One axial slice (54 of 85, counting up from the lowest) of an arterial-phase abdominal CT acquired with 100 kVp, kernel I41f; each pixel is 0.664 mm and the slice is 5.00 mm thick.
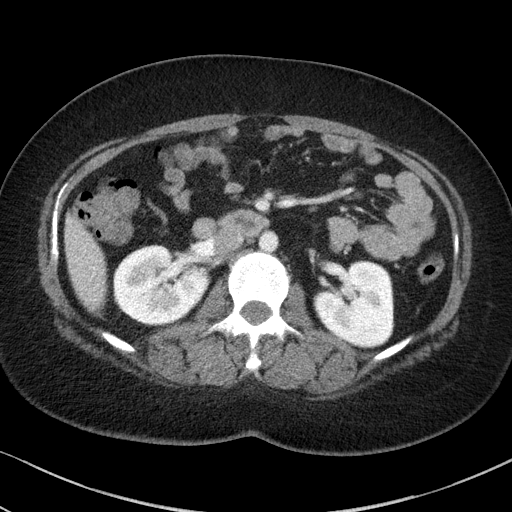
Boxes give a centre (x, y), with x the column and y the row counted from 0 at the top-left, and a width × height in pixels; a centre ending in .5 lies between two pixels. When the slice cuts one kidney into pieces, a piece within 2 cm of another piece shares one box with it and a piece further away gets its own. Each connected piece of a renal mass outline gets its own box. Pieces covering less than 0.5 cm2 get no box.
Boxed on this slice (two kidney boxes), listed by box centre from the image's left to its right: (1) Box centre (161, 284.5), 97 × 80 pixels: right kidney (outlined area 5,717 px, about 25.2 cm2). (2) Left kidney, box centre (353.5, 304), 82 × 89 pixels (outlined area 5,380 px, about 23.7 cm2). This slice carries no renal mass outline.